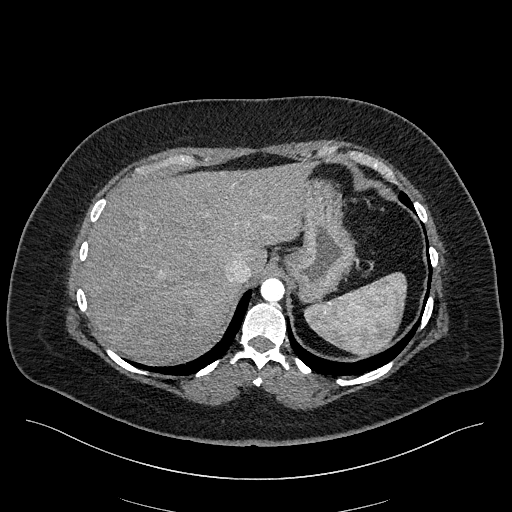
Arterial-phase contrast-enhanced abdominal CT, axial slice 195 of 270 (counted from the lowest slice); tube voltage 100 kVp, convolution kernel I40f; slices 2.00 mm thick, 0.855 mm per pixel.
Neither a kidney nor a renal mass is outlined here. Only kidneys and renal masses are outlined anywhere in this scan; other structures are never outlined.